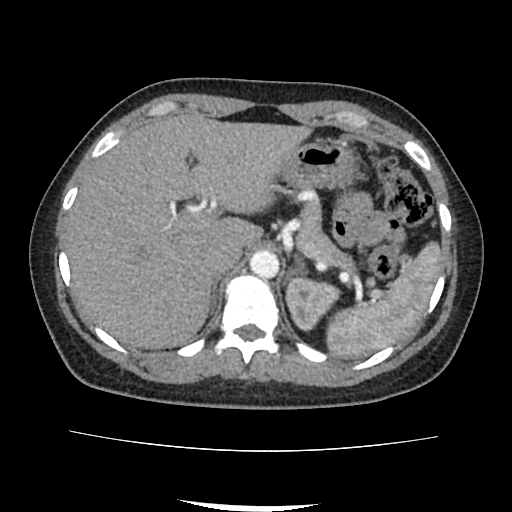
Abdominal CT with intravenous contrast, axial plane, 120 kVp, kernel FC18. Slice 74/103 from the bottom of the scan; thickness 3.00 mm; pixel size 0.714 mm.
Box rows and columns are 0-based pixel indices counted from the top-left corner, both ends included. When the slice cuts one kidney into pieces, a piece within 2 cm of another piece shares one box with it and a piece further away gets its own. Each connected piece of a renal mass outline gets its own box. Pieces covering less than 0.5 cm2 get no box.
Box rows 277–331, columns 284–341: left kidney (outlined area 2,118 px, about 10.8 cm2). No renal mass outline on this slice.